Axial slice 248 of 433 of a contrast-enhanced abdominal CT (slice 1 is the lowest), 120 kVp, kernel B30f; 1.00 mm slice thickness and 0.672 mm pixels.
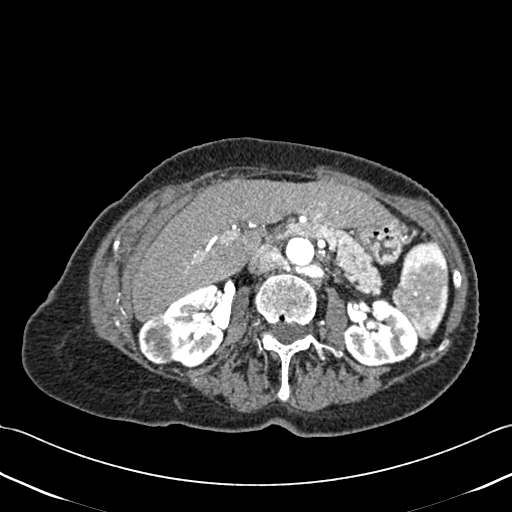
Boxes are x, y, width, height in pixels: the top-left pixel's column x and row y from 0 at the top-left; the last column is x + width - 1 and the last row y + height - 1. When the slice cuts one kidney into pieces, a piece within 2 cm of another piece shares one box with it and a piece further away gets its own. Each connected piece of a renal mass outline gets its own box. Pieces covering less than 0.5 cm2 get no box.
Two kidney boxes and one renal mass box on this slice; by box centre, from the image's left to its right: (1) Right renal mass at x 138, y 315, width 41, height 51 (outlined area 1,630 px, about 7.4 cm2). (2) Right kidney at x 162, y 285, width 63, height 83 (outlined area 3,396 px, about 15.3 cm2). (3) Box x 344, y 298, width 75, height 69: left kidney (outlined area 3,688 px, about 16.6 cm2).